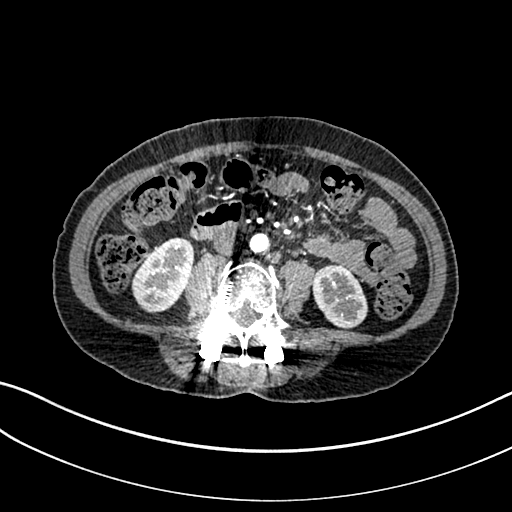
Abdominal CT with intravenous contrast, arterial phase, axial plane, 100 kVp, kernel I30f. Slice 89/325 from the bottom of the scan; thickness 1.00 mm; pixel size 0.703 mm.
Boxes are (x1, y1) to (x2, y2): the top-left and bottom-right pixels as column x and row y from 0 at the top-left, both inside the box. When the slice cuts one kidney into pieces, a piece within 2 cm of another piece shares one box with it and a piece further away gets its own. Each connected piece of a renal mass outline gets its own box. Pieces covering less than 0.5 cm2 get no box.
Two kidney boxes on this slice; by box centre, from the image's left to its right: (1) Right kidney from (131, 237) to (194, 312) (outlined area 3,332 px, about 16.5 cm2). (2) Left kidney from (312, 264) to (367, 329) (outlined area 2,676 px, about 13.2 cm2). No renal mass is outlined on this slice.